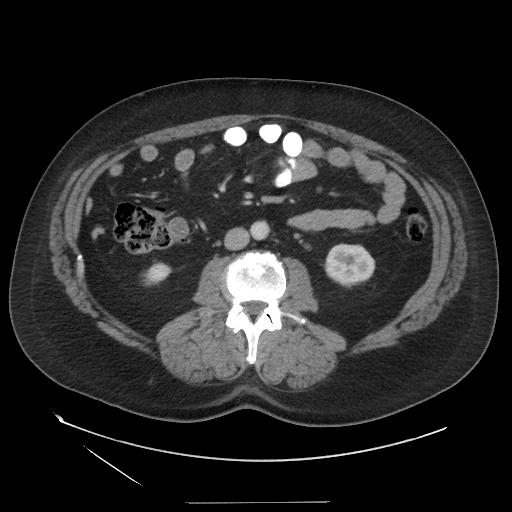
Axial slice 68 of 129 of a contrast-enhanced abdominal CT in the arterial phase (slice 1 is the lowest), 140 kVp, kernel STANDARD; 3.75 mm slice thickness and 0.938 mm pixels.
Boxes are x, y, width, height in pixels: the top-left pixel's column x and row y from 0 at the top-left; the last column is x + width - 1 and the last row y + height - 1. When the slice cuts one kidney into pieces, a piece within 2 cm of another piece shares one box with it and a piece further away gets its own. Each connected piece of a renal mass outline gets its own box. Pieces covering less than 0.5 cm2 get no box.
Boxed on this slice (two kidney boxes), listed by box centre from the image's left to its right: (1) Right kidney, box x 141, y 261, width 31, height 26 (outlined area 496 px, about 4.4 cm2). (2) Left kidney, box x 324, y 243, width 52, height 45 (outlined area 1,771 px, about 15.6 cm2). No renal mass outline on this slice.